Arterial-phase contrast-enhanced abdominal CT, axial slice 471 of 705 (counted from the lowest slice); tube voltage 120 kVp, convolution kernel I30f; slices 1.00 mm thick, 0.703 mm per pixel.
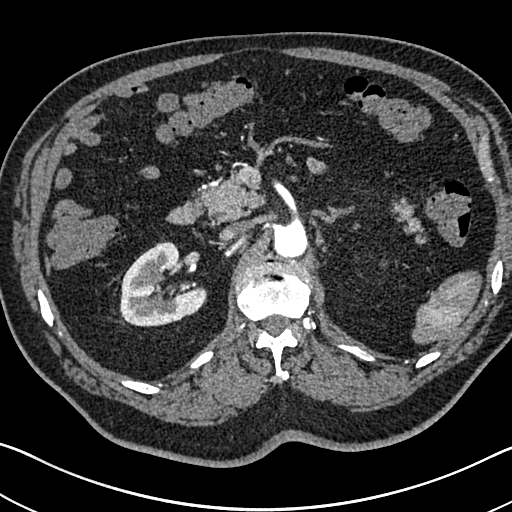
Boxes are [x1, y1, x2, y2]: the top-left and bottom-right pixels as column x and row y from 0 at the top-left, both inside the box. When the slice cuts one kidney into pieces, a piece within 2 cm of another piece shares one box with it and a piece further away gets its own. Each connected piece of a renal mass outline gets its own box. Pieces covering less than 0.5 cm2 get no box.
Right kidney, box [120, 241, 206, 326] (outlined area 5,015 px, about 24.8 cm2). No renal mass outline on this slice.